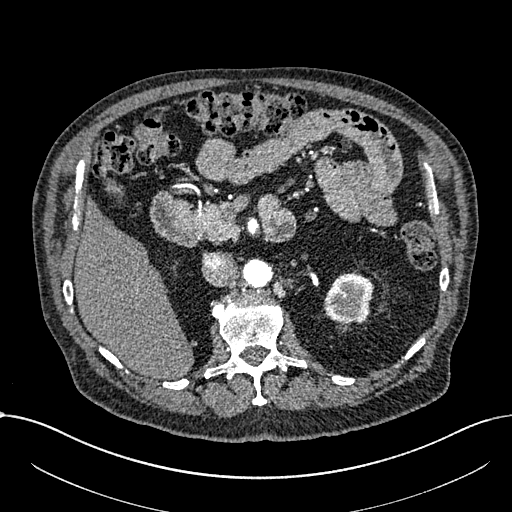
Axial slice 441 of 1059 of a contrast-enhanced abdominal CT in the arterial phase (slice 1 is the lowest), 100 kVp, kernel I30f; 1.00 mm slice thickness and 0.811 mm pixels.
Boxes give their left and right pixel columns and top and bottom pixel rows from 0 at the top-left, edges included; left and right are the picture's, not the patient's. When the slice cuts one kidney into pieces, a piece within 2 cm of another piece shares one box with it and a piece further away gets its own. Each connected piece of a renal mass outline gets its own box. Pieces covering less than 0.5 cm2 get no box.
Left part of the midline-crossing kidney in the box with left 323, top 273, right 374, bottom 324 (outlined area 2,061 px, about 13.5 cm2). No renal mass is outlined on this slice.